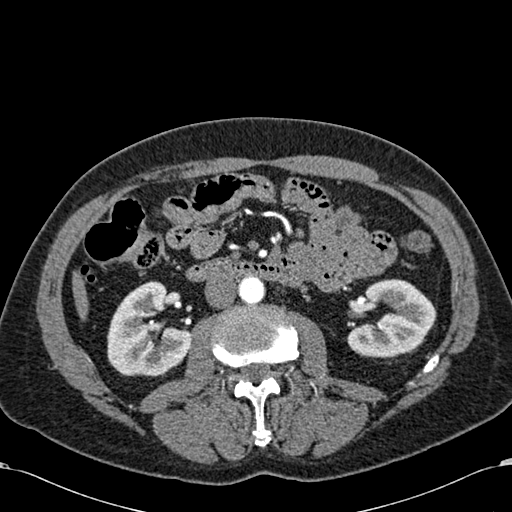
Axial slice 316 of 581 of a contrast-enhanced abdominal CT in the arterial phase (slice 1 is the lowest), 120 kVp, kernel B30f; 1.00 mm slice thickness and 0.713 mm pixels.
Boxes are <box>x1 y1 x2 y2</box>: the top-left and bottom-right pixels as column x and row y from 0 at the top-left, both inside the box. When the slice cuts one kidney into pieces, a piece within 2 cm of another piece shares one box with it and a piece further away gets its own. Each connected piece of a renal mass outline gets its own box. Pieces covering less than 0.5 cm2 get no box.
Two kidney boxes on this slice; by box centre, from the image's left to its right: (1) Right kidney: <box>107 281 190 376</box> (outlined area 5,649 px, about 28.7 cm2). (2) Left kidney: <box>347 279 436 358</box> (outlined area 5,018 px, about 25.5 cm2). This slice carries no renal mass outline.